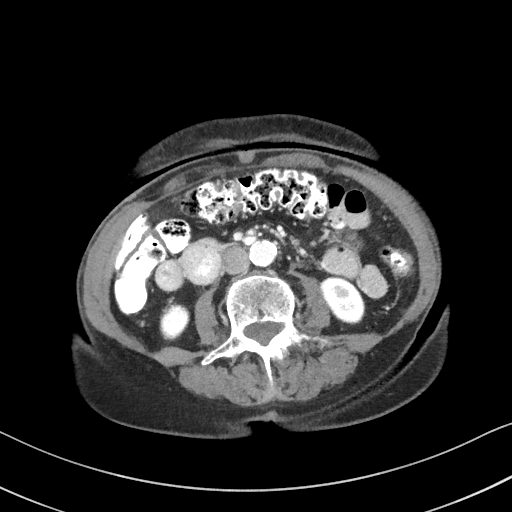
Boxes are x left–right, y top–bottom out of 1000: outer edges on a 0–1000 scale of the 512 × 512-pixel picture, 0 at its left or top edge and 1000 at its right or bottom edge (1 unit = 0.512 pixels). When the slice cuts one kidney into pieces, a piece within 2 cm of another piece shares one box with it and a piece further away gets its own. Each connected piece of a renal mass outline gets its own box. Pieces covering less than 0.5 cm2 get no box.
Slice 43/92 of a contrast-enhanced abdominal CT, counting up from the lowest; pixel size 0.684 mm, slice thickness 3.00 mm. Two kidney boxes on this slice; by box centre, from the image's left to its right: (1) Box x 311–371, y 590–670 out of 1000: right kidney (outlined area 966 px, about 4.5 cm2). (2) Left kidney at x 623–715, y 541–635 out of 1000 (outlined area 1,532 px, about 7.2 cm2). This slice carries no renal mass outline.
Tube voltage 100 kVp; convolution kernel I41f.